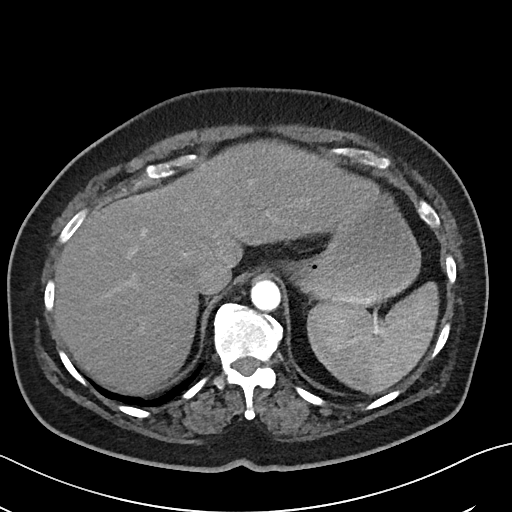
Contrast-enhanced abdominal CT, axial slice 39 of 50 (counted from the lowest slice); tube voltage 100 kVp, convolution kernel I40f; slices 5.00 mm thick, 0.723 mm per pixel.
This slice carries no outline: it lies beyond the outlined kidneys and beyond every outlined renal mass. Other organs are not outlined in this scan.